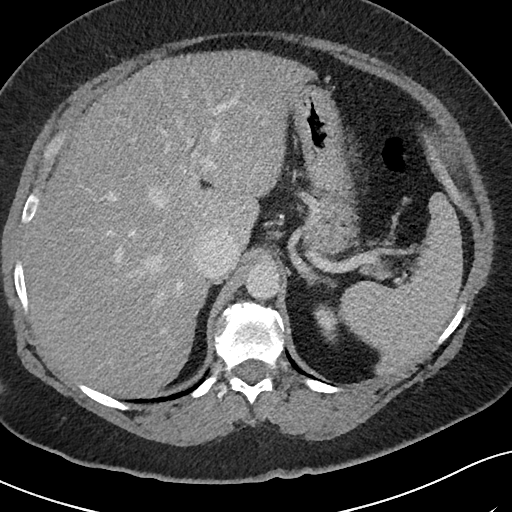
Axial slice 64 of 69 of a contrast-enhanced abdominal CT in the arterial phase (slice 1 is the lowest), 120 kVp, kernel I40f; 3.00 mm slice thickness and 0.664 mm pixels.
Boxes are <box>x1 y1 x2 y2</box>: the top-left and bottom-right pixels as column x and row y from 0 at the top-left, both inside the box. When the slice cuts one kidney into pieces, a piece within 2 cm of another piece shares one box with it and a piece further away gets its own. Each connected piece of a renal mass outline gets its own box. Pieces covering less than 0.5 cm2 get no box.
Left kidney at <box>313 304 340 343</box> (outlined area 627 px, about 2.8 cm2). No renal mass outline on this slice.